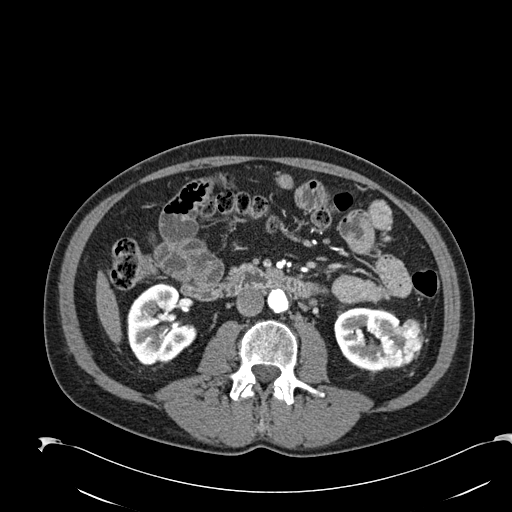
Abdominal CT with intravenous contrast, arterial phase, axial plane, 120 kVp, kernel B30f. Slice 94/274 from the bottom of the scan; thickness 2.00 mm; pixel size 0.809 mm.
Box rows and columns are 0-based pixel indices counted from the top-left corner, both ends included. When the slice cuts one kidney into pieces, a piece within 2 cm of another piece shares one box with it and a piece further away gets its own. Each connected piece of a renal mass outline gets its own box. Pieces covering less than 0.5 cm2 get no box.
Two kidney boxes and one renal mass box on this slice; by box centre, from the image's left to its right: (1) Right kidney, box rows 284–365, columns 127–194 (outlined area 4,030 px, about 26.3 cm2). (2) Left kidney, box rows 307–369, columns 334–399 (outlined area 2,781 px, about 18.2 cm2). (3) Box rows 318–369, columns 378–423: left renal mass (outlined area 1,619 px, about 10.6 cm2).